Axial slice 328 of 581 of a contrast-enhanced abdominal CT in the arterial phase (slice 1 is the lowest), 120 kVp, kernel B30f; 1.00 mm slice thickness and 0.713 mm pixels.
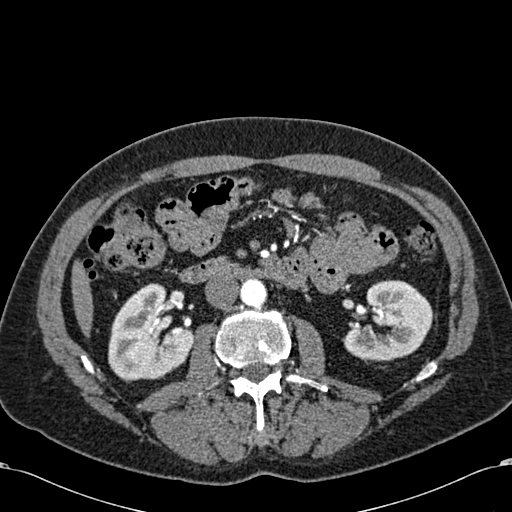
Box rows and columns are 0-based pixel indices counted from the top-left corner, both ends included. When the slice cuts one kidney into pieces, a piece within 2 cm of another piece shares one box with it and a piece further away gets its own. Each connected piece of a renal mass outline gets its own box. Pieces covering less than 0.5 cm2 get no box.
Boxed on this slice (two kidney boxes), listed by box centre from the image's left to its right: (1) Box rows 283–380, columns 108–192: right kidney (outlined area 5,948 px, about 30.2 cm2). (2) Left kidney at rows 279–360, columns 342–434 (outlined area 5,157 px, about 26.2 cm2). This slice carries no renal mass outline.